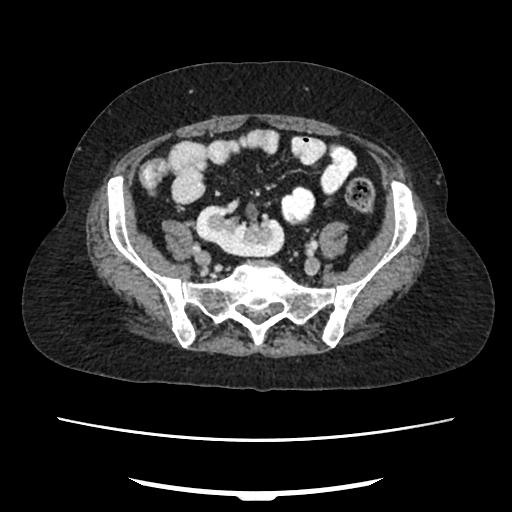
Abdominal CT with intravenous contrast, arterial phase, axial plane, 120 kVp, kernel FC18. Slice 75/207 from the bottom of the scan; thickness 2.00 mm; pixel size 0.741 mm.
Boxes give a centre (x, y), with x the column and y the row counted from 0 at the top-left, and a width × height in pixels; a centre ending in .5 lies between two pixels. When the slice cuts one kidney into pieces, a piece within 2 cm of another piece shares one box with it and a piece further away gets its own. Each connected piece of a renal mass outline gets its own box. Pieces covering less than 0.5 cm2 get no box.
Right kidney, box centre (239.5, 227.5), 90 × 58 pixels (outlined area 3,518 px, about 19.3 cm2). No renal mass is outlined on this slice.